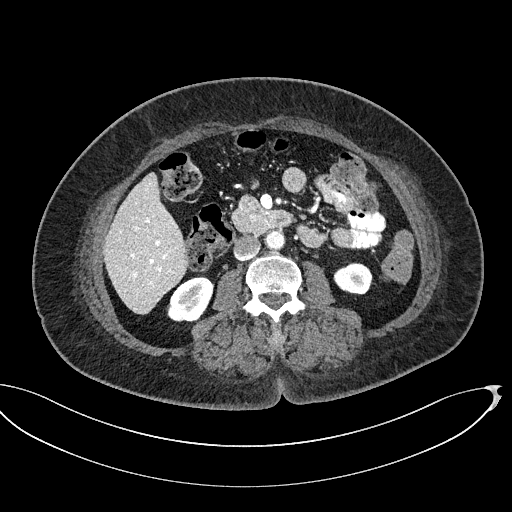
Abdominal CT with intravenous contrast, axial plane, 100 kVp, kernel I40f. Slice 270/439 from the bottom of the scan; thickness 2.00 mm; pixel size 0.850 mm.
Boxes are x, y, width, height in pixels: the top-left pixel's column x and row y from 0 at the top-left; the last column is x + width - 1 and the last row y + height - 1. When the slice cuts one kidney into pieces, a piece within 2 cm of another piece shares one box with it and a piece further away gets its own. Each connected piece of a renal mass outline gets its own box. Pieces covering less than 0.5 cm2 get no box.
Two boxes on this slice (two kidney boxes), listed by box centre from the image's left to its right. (1) Box x 166, y 276, width 48, height 46: right kidney (outlined area 1,588 px, about 11.5 cm2). (2) Left kidney, box x 333, y 262, width 40, height 33 (outlined area 987 px, about 7.1 cm2). No renal mass is outlined on this slice.